Abdominal CT with intravenous contrast, arterial phase, axial plane, 120 kVp, kernel STANDARD. Slice 239/349 from the bottom of the scan; thickness 1.25 mm; pixel size 0.742 mm.
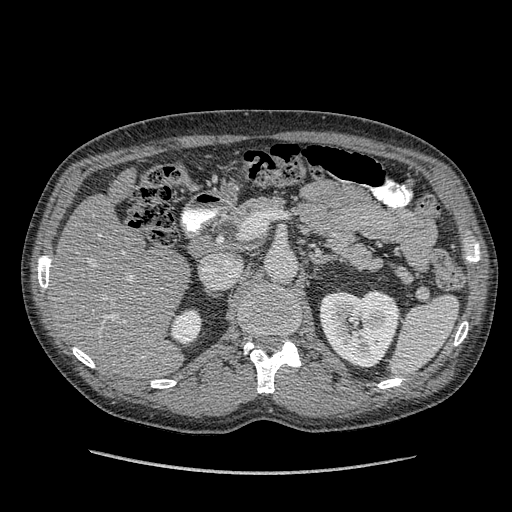
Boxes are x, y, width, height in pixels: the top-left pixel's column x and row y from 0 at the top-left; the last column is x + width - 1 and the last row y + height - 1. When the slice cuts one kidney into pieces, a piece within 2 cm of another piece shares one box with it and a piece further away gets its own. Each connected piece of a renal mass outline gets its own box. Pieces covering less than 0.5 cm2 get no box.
Two boxes on this slice (two kidney boxes), listed by box centre from the image's left to its right. (1) Right kidney, box x 171, y 308, width 32, height 38 (outlined area 896 px, about 4.9 cm2). (2) Left kidney, box x 319, y 290, width 81, height 79 (outlined area 4,893 px, about 27.0 cm2). No renal mass is outlined on this slice.